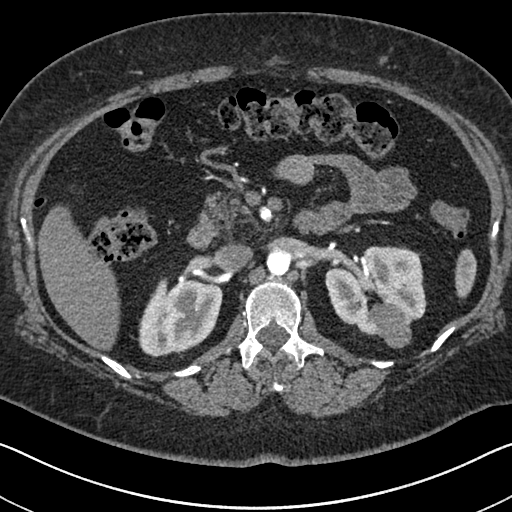
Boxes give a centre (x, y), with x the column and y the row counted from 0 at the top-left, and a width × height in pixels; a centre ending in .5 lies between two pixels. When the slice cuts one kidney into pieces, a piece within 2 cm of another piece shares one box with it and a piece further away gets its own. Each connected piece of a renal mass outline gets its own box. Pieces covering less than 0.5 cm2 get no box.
This is axial slice 431 of 591 (slice 1 is the lowest) of an arterial-phase abdominal CT with contrast; each pixel is 0.703 mm and the slice is 1.00 mm thick. Three boxes on this slice (two kidney boxes and one renal mass box), listed by box centre from the image's left to its right. (1) Right kidney in a box with centre (180, 317.5), 85 × 78 pixels (outlined area 4,931 px, about 24.4 cm2). (2) Left kidney, box centre (375.5, 290.5), 102 × 90 pixels (outlined area 5,889 px, about 29.1 cm2). (3) Box centre (389, 325.5), 45 × 46 pixels: left renal mass (outlined area 1,412 px, about 7.0 cm2).
Scan settings: 140 kVp, I30f reconstruction kernel.